One axial slice (254 of 527, counting up from the lowest) of an arterial-phase abdominal CT acquired with 120 kVp, kernel I30f; each pixel is 0.859 mm and the slice is 1.00 mm thick.
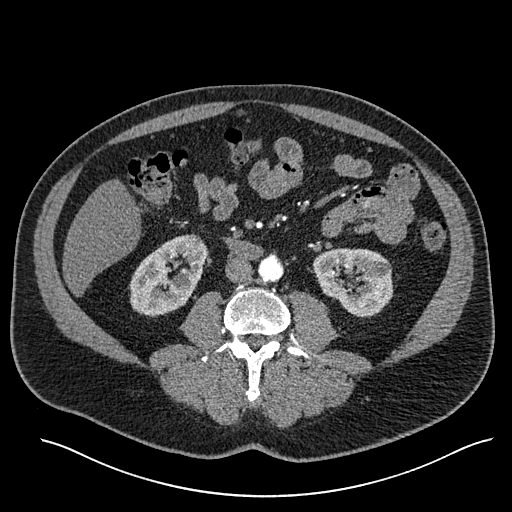
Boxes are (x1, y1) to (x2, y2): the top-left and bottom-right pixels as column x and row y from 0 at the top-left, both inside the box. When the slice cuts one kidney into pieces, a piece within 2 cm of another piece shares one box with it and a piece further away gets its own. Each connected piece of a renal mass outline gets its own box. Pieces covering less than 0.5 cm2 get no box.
Two boxes on this slice (two kidney boxes), listed by box centre from the image's left to its right. (1) Right kidney from (129, 234) to (206, 316) (outlined area 4,389 px, about 32.4 cm2). (2) Left kidney from (312, 248) to (393, 316) (outlined area 4,184 px, about 30.9 cm2). This slice carries no renal mass outline.